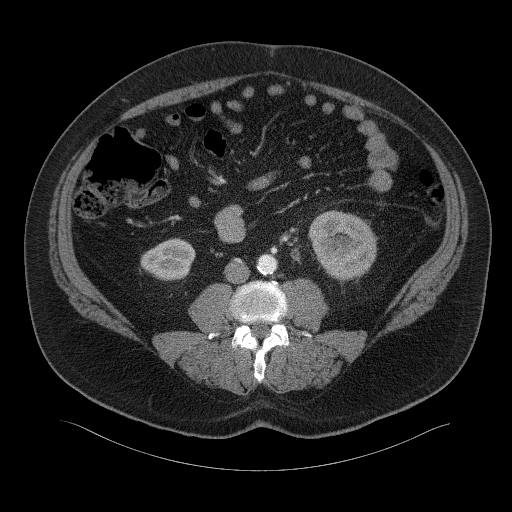
Contrast-enhanced abdominal CT, axial slice 9 of 94 (counted from the lowest slice); tube voltage 120 kVp, convolution kernel B41f; slices 3.00 mm thick, 0.977 mm per pixel.
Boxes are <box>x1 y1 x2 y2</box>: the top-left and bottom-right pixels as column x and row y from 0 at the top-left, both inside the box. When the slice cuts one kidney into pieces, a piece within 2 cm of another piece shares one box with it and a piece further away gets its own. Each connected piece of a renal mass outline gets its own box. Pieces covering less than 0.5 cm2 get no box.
Two kidney boxes on this slice; by box centre, from the image's left to its right: (1) Right kidney: <box>140 238 195 280</box> (outlined area 1,744 px, about 16.6 cm2). (2) Left kidney: <box>308 210 377 283</box> (outlined area 3,720 px, about 35.5 cm2). No renal mass outline on this slice.